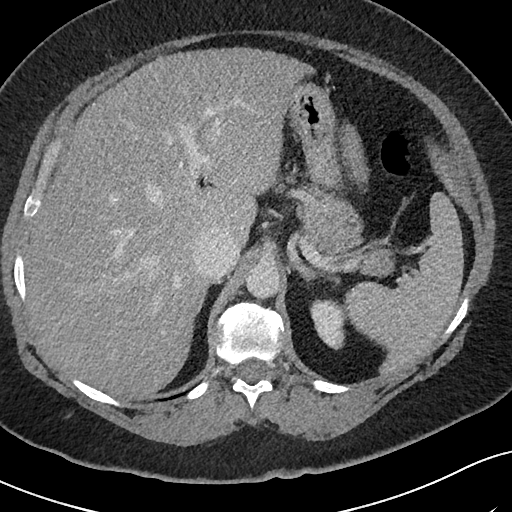
Arterial-phase contrast-enhanced abdominal CT, axial slice 63 of 69 (counted from the lowest slice); tube voltage 120 kVp, convolution kernel I40f; slices 3.00 mm thick, 0.664 mm per pixel.
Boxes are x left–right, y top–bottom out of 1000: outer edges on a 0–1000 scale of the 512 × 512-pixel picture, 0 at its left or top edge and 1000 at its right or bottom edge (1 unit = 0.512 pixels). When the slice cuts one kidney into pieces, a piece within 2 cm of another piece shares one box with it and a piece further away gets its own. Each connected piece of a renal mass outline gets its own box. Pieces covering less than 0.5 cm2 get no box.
Left kidney, box x 605–678, y 584–684 out of 1000 (outlined area 1,360 px, about 6.0 cm2). No renal mass is outlined on this slice.